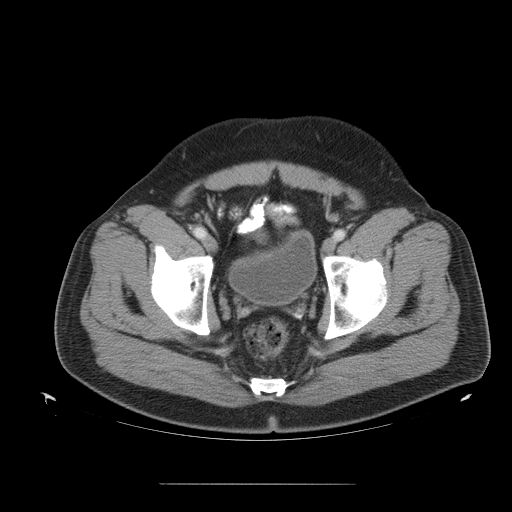
Axial slice 24 of 99 of a contrast-enhanced abdominal CT (slice 1 is the lowest), 120 kVp, kernel STANDARD; 5.00 mm slice thickness and 0.938 mm pixels.
Outside the outlined region: no kidney outline and no renal mass outline on this slice. The scan's outlines cover only kidneys and renal masses; no other organ is outlined.